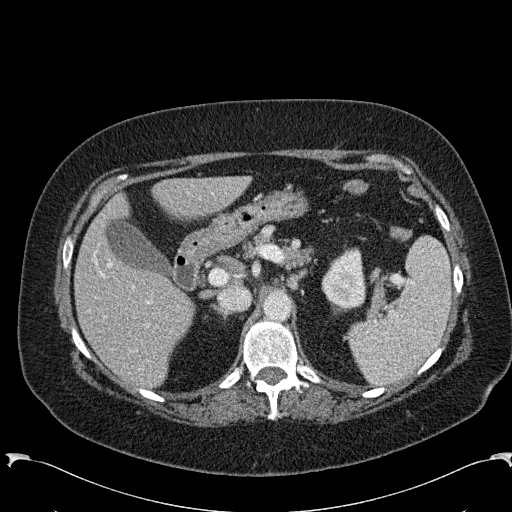
One axial slice (177 of 285, counting up from the lowest) of an arterial-phase abdominal CT acquired with 120 kVp, kernel B31f; each pixel is 0.762 mm and the slice is 2.00 mm thick.
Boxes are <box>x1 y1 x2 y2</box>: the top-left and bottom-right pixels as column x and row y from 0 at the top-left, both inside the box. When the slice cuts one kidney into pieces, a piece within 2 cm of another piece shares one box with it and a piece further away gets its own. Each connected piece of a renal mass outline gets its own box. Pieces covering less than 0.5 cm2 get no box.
Left kidney: <box>321 247 366 310</box> (outlined area 2,119 px, about 12.3 cm2). No renal mass outline on this slice.